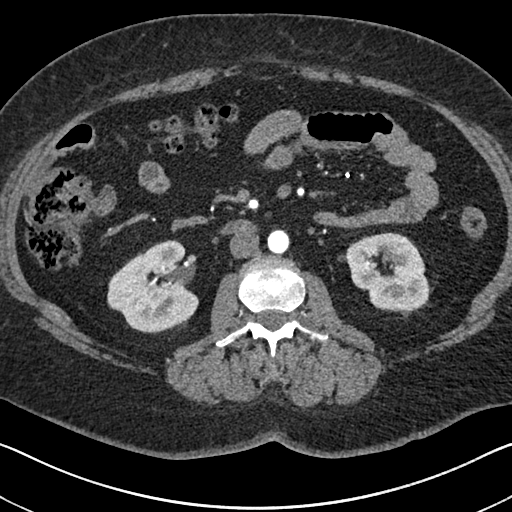
Abdominal CT with intravenous contrast, arterial phase, axial plane, 140 kVp, kernel I30f. Slice 360/591 from the bottom of the scan; thickness 1.00 mm; pixel size 0.703 mm.
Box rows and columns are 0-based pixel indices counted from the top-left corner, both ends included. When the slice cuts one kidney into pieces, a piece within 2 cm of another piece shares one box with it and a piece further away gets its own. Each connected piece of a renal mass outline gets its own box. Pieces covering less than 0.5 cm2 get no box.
Two boxes on this slice (two kidney boxes), listed by box centre from the image's left to its right. (1) Box rows 240–333, columns 107–199: right kidney (outlined area 6,046 px, about 29.9 cm2). (2) Box rows 232–311, columns 345–429: left kidney (outlined area 4,923 px, about 24.3 cm2). This slice carries no renal mass outline.